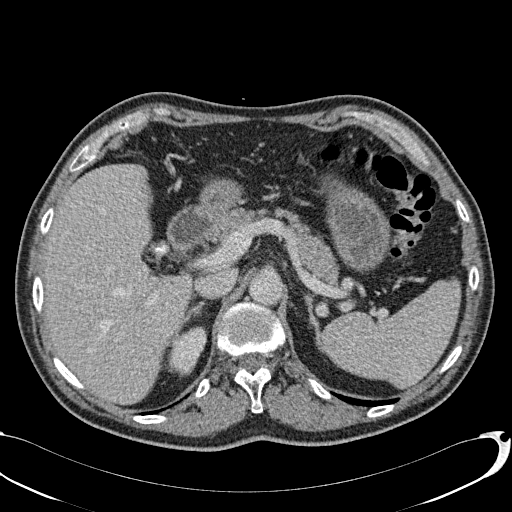
Axial slice 68 of 113 of a contrast-enhanced abdominal CT (slice 1 is the lowest), 120 kVp, kernel B31f; 2.00 mm slice thickness and 0.742 mm pixels.
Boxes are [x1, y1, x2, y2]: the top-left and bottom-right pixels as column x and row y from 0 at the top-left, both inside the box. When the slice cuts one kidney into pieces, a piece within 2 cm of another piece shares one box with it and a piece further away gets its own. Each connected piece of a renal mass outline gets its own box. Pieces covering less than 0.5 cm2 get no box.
Right kidney at [167, 326, 206, 374] (outlined area 1,364 px, about 7.5 cm2). No renal mass is outlined on this slice.